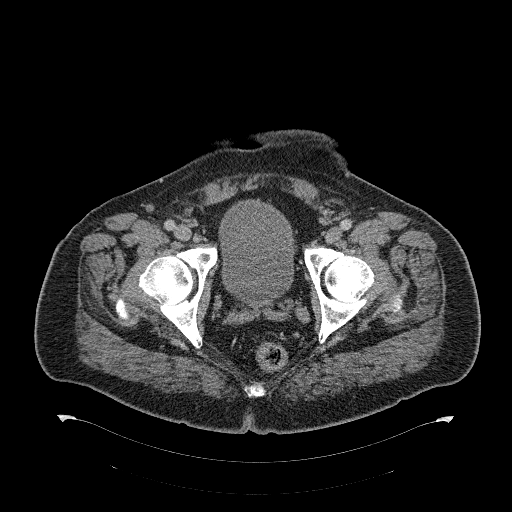
One axial slice (64 of 274, counting up from the lowest) of a contrast-enhanced abdominal CT acquired with 120 kVp, kernel B31f; each pixel is 0.977 mm and the slice is 2.00 mm thick.
This slice carries no outline: it lies beyond the outlined kidneys and beyond every outlined renal mass. Other organs are not outlined in this scan.